Abdominal CT with intravenous contrast, arterial phase, axial plane, 120 kVp, kernel I26f. Slice 338/548 from the bottom of the scan; thickness 1.00 mm; pixel size 0.852 mm.
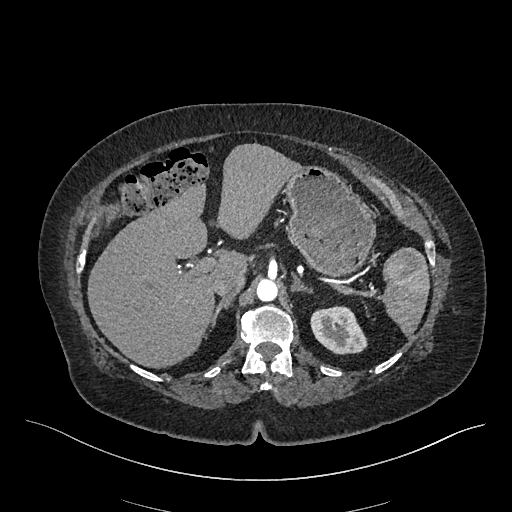
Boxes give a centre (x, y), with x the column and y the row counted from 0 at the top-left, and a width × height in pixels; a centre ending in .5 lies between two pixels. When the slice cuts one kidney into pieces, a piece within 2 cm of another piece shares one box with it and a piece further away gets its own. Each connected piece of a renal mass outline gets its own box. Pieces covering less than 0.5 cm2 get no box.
Left kidney in a box with centre (338.5, 330), 58 × 49 pixels (outlined area 2,090 px, about 15.2 cm2). No renal mass outline on this slice.